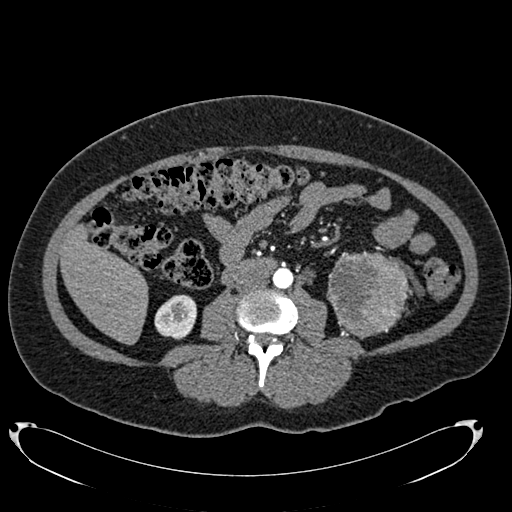
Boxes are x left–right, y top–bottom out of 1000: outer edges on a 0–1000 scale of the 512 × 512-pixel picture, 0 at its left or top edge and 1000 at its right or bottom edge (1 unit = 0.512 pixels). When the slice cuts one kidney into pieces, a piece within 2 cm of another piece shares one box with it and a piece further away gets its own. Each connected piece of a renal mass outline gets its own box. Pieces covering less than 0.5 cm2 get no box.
This is axial slice 342 of 634 (slice 1 is the lowest) of an arterial-phase abdominal CT with contrast; each pixel is 0.838 mm and the slice is 1.00 mm thick. Two boxes on this slice (one kidney box and one renal mass box), listed by box centre from the image's left to its right. (1) Right kidney, box x 301–385, y 574–664 out of 1000 (outlined area 1,491 px, about 10.5 cm2). (2) Left renal mass, box x 637–803, y 490–664 out of 1000 (outlined area 5,515 px, about 38.7 cm2); here it is more than 1 cm from any kidney outline, though on another slice the same outlined renal mass lies within 1 cm of the kidney.
Acquired at 120 kVp and reconstructed with the B20f kernel.